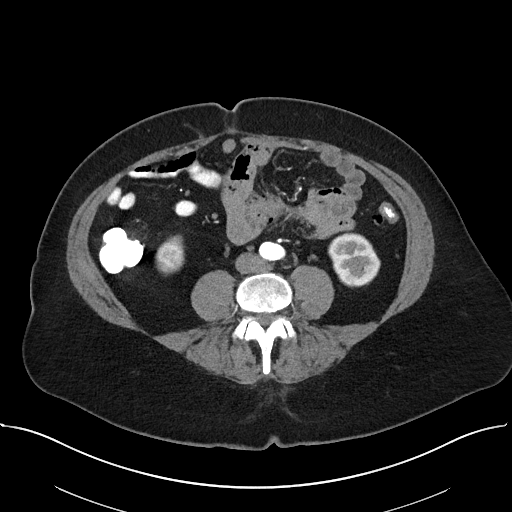
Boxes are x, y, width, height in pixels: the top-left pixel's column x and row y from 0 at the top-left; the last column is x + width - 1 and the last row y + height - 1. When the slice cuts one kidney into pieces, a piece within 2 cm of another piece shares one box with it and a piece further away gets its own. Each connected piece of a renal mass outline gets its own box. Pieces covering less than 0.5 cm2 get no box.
This is axial slice 7 of 38 (slice 1 is the lowest) of an arterial-phase abdominal CT with contrast; each pixel is 0.822 mm and the slice is 5.00 mm thick. Boxed on this slice (two kidney boxes), listed by box centre from the image's left to its right: (1) Box x 156, y 235, width 29, height 40: right kidney (outlined area 881 px, about 6.0 cm2). (2) Left kidney, box x 328, y 232, width 53, height 56 (outlined area 2,144 px, about 14.5 cm2). No renal mass is outlined on this slice.
Tube voltage 100 kVp; convolution kernel I40f.